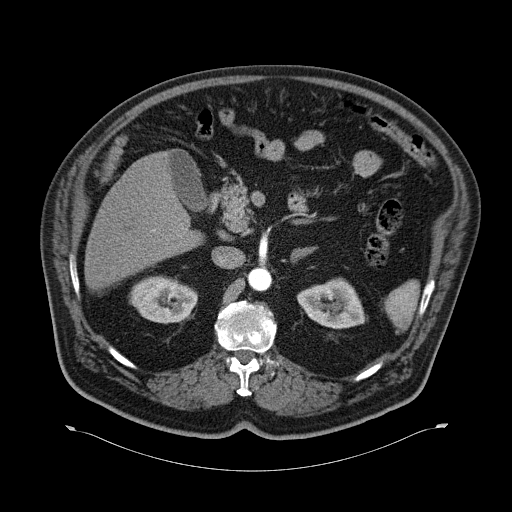
Axial slice 40 of 70 of a contrast-enhanced abdominal CT in the arterial phase (slice 1 is the lowest), 120 kVp, kernel B30f; 5.00 mm slice thickness and 0.977 mm pixels.
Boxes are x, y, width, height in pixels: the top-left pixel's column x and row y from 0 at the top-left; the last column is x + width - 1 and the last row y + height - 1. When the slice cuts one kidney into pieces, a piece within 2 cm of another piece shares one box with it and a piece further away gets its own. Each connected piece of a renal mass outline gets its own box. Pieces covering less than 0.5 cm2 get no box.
Two kidney boxes on this slice; by box centre, from the image's left to its right: (1) Right kidney at x 129, y 275, width 69, height 49 (outlined area 2,503 px, about 23.9 cm2). (2) Left kidney, box x 296, y 277, width 72, height 53 (outlined area 2,501 px, about 23.9 cm2). This slice carries no renal mass outline.